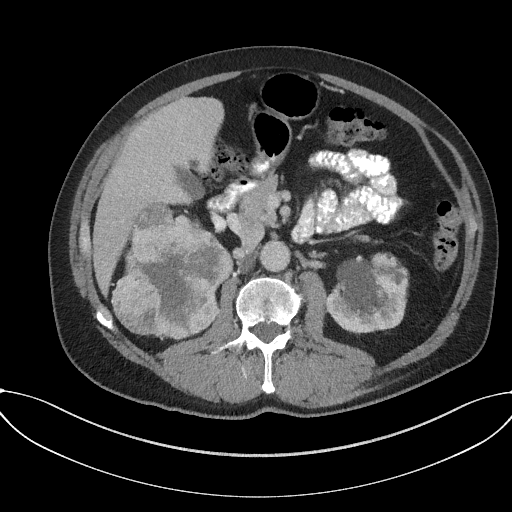
Abdominal CT with intravenous contrast, arterial phase, axial plane, 120 kVp, kernel I31f. Slice 98/227 from the bottom of the scan; thickness 3.00 mm; pixel size 0.816 mm.
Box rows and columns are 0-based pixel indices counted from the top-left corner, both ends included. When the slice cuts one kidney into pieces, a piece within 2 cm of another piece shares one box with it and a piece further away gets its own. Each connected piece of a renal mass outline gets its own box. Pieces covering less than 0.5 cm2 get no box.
Boxed on this slice (one kidney box and one renal mass box), listed by box centre from the image's left to its right: (1) Right renal mass at rows 203–339, columns 112–233 (outlined area 11,695 px, about 77.9 cm2); on this slice it lies more than 1 cm from any kidney outline, but the same outlined renal mass comes within 1 cm of the kidney on another slice. (2) Left kidney, box rows 252–334, columns 327–408 (outlined area 5,271 px, about 35.1 cm2).